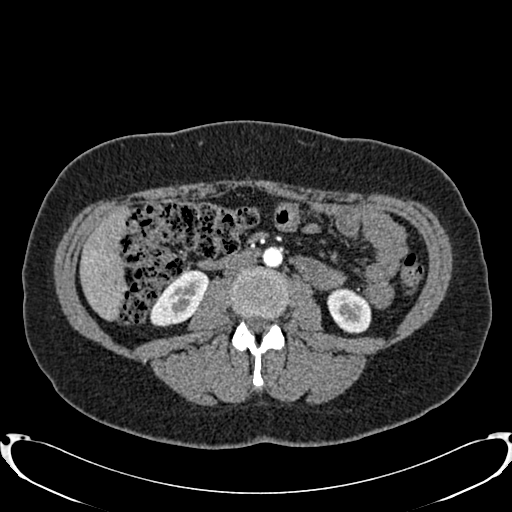
Axial slice 394 of 719 of a contrast-enhanced abdominal CT in the arterial phase (slice 1 is the lowest), 120 kVp, kernel B20f; 1.00 mm slice thickness and 0.766 mm pixels.
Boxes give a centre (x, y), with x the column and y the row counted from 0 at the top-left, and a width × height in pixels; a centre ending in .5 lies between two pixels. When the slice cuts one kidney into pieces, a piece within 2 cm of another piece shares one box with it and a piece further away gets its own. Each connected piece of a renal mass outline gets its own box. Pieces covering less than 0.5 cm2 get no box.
Boxed on this slice (two kidney boxes), listed by box centre from the image's left to its right: (1) Right kidney, box centre (178.5, 297.5), 60 × 58 pixels (outlined area 2,170 px, about 12.7 cm2). (2) Left kidney in a box with centre (349, 310), 45 × 47 pixels (outlined area 1,579 px, about 9.3 cm2). No renal mass outline on this slice.